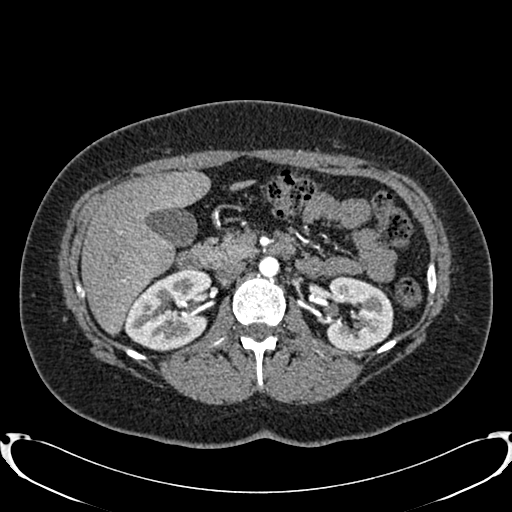
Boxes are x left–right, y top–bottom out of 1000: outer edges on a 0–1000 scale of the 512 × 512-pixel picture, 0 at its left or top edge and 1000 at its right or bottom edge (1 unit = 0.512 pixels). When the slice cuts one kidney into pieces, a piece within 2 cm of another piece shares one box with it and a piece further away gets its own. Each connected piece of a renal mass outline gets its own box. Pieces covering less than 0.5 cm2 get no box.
This is axial slice 485 of 719 (slice 1 is the lowest) of an arterial-phase abdominal CT with contrast; each pixel is 0.766 mm and the slice is 1.00 mm thick. Two kidney boxes on this slice; by box centre, from the image's left to its right: (1) Right kidney, box x 242–416, y 523–688 out of 1000 (outlined area 5,312 px, about 31.1 cm2). (2) Box x 635–770, y 537–686 out of 1000: left kidney (outlined area 3,941 px, about 23.1 cm2). No renal mass outline on this slice.
Scan settings: 120 kVp, B20f reconstruction kernel.